Axial slice 50 of 89 of a contrast-enhanced abdominal CT in the arterial phase (slice 1 is the lowest), 100 kVp, kernel I40f; 5.00 mm slice thickness and 0.885 mm pixels.
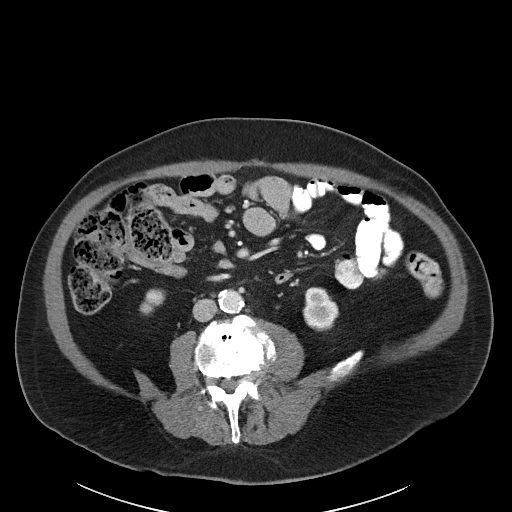
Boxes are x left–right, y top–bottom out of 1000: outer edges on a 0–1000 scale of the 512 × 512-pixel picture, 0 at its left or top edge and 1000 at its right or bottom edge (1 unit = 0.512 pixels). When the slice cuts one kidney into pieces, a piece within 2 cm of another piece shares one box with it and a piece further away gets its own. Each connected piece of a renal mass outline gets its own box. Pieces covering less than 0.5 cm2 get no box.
Boxed on this slice (two kidney boxes), listed by box centre from the image's left to its right: (1) Box x 271–324, y 563–615 out of 1000: right kidney (outlined area 443 px, about 3.5 cm2). (2) Left kidney at x 592–664, y 561–648 out of 1000 (outlined area 1,228 px, about 9.6 cm2). No renal mass outline on this slice.